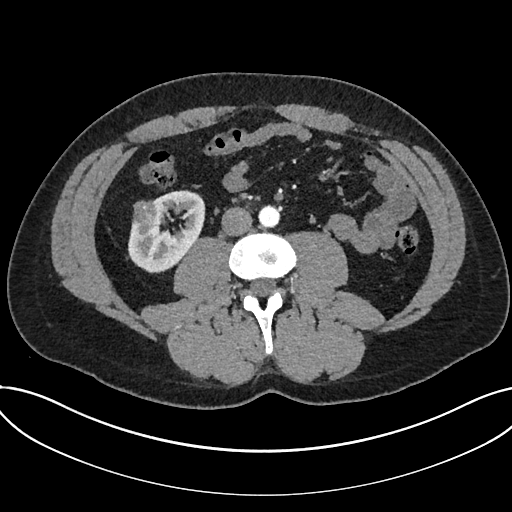
One axial slice (320 of 735, counting up from the lowest) of an arterial-phase abdominal CT acquired with 120 kVp, kernel I30f; each pixel is 0.789 mm and the slice is 1.00 mm thick.
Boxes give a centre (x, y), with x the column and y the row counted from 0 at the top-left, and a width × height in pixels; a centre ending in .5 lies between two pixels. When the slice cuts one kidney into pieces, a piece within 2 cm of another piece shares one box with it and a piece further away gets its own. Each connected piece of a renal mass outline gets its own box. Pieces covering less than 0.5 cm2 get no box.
One kidney box and one renal mass box on this slice; by box centre, from the image's left to its right: (1) Renal mass in a box with centre (146, 213), 27 × 27 pixels (outlined area 601 px, about 3.7 cm2). (2) Box centre (166, 231.5), 77 × 84 pixels: kidney (outlined area 3,978 px, about 24.8 cm2).